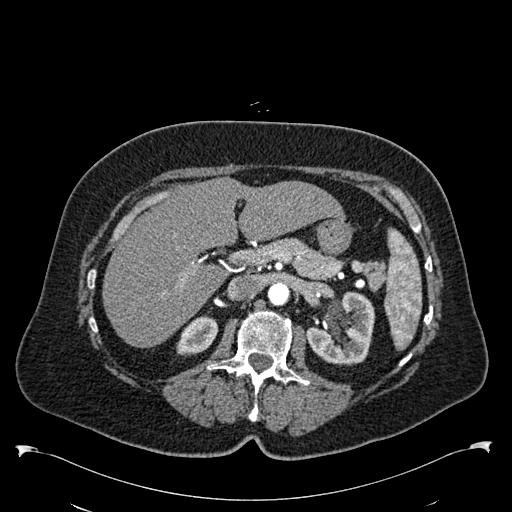
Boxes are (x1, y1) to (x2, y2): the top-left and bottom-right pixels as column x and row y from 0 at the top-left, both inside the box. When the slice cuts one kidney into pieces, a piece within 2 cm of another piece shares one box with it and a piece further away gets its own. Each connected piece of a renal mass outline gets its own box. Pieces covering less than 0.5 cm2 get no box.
This is axial slice 369 of 538 (slice 1 is the lowest) of an arterial-phase abdominal CT with contrast; each pixel is 0.811 mm and the slice is 1.00 mm thick. Two kidney boxes on this slice; by box centre, from the image's left to its right: (1) Right kidney, box (176, 315) to (218, 356) (outlined area 1,189 px, about 7.8 cm2). (2) Left kidney from (306, 291) to (375, 364) (outlined area 3,615 px, about 23.8 cm2). No renal mass is outlined on this slice.
Scan settings: 120 kVp, B30f reconstruction kernel.